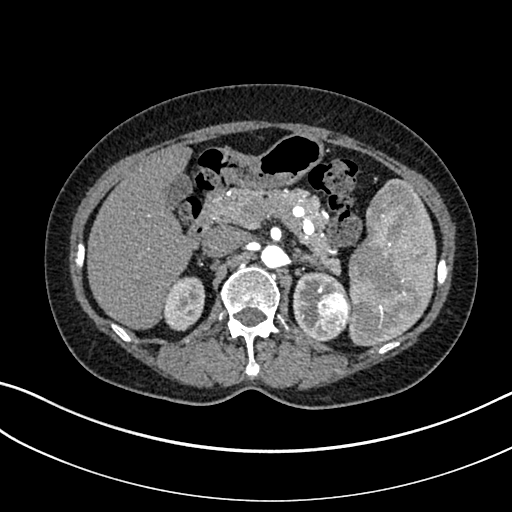
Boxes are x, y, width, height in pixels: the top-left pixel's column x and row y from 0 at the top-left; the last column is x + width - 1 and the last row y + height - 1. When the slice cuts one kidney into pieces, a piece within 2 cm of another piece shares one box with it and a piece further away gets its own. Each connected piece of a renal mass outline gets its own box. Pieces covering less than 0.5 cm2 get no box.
Arterial-phase contrast-enhanced abdominal CT, axial slice 216 of 325 (counted from the lowest slice); 1.00 mm thick, 0.703 mm per pixel. Boxed on this slice (two kidney boxes and one renal mass box), listed by box centre from the image's left to its right: (1) Box x 162, y 276, width 44, height 56: right kidney (outlined area 1,797 px, about 8.9 cm2). (2) Left kidney, box x 293, y 271, width 54, height 71 (outlined area 1,995 px, about 9.9 cm2). (3) Left renal mass at x 316, y 290, width 36, height 43 (outlined area 1,229 px, about 6.1 cm2).
Tube voltage 100 kVp; convolution kernel I30f.